One axial slice (337 of 673, counting up from the lowest) of an arterial-phase abdominal CT acquired with 120 kVp, kernel I30f; each pixel is 0.855 mm and the slice is 1.00 mm thick.
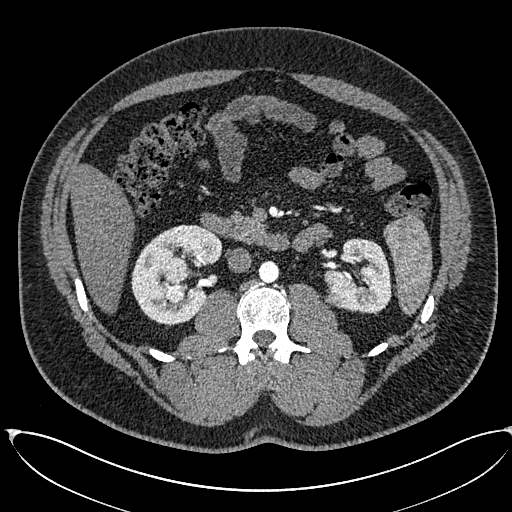
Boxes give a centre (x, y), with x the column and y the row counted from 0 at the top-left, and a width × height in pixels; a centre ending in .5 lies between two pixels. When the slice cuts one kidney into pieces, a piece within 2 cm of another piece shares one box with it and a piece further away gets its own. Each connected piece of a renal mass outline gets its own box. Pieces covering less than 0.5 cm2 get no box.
Two kidney boxes and two renal mass boxes on this slice; by box centre, from the image's left to its right: (1) Right renal mass, box centre (176, 280), 29 × 47 pixels (outlined area 999 px, about 7.3 cm2). (2) Right kidney in a box with centre (176.5, 274), 92 × 101 pixels (outlined area 5,563 px, about 40.7 cm2). (3) Box centre (338, 297.5), 27 × 22 pixels: left renal mass (outlined area 444 px, about 3.2 cm2). (4) Box centre (357, 275.5), 69 × 76 pixels: left kidney (outlined area 3,455 px, about 25.3 cm2).